Axial slice 296 of 527 of a contrast-enhanced abdominal CT in the arterial phase (slice 1 is the lowest), 120 kVp, kernel I30f; 1.00 mm slice thickness and 0.859 mm pixels.
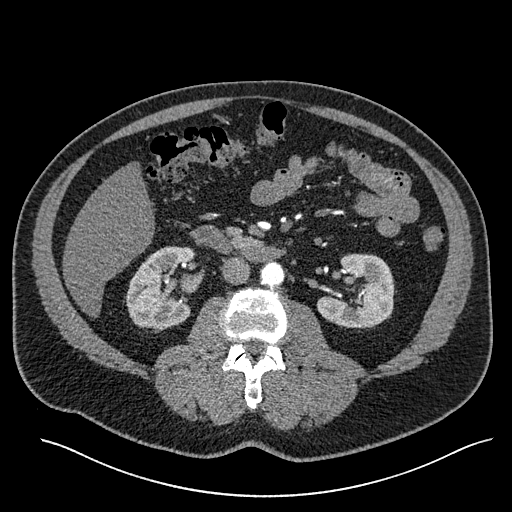
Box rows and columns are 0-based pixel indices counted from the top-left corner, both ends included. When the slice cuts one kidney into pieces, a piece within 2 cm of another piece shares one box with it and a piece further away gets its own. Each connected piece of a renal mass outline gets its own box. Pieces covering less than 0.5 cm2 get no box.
Two kidney boxes on this slice; by box centre, from the image's left to its right: (1) Box rows 246–332, columns 125–193: right kidney (outlined area 4,383 px, about 32.4 cm2). (2) Left kidney, box rows 253–328, columns 316–396 (outlined area 4,219 px, about 31.2 cm2). No renal mass outline on this slice.